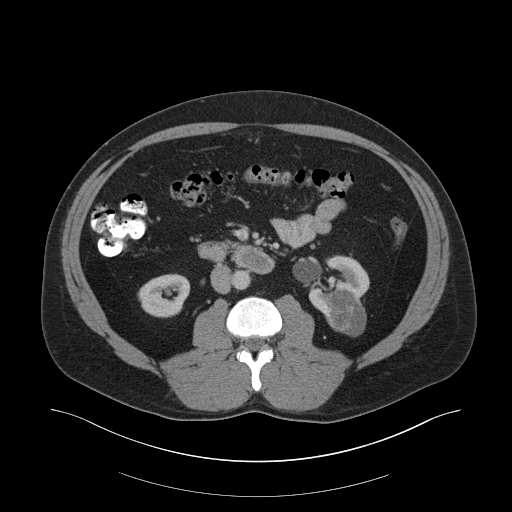
Axial slice 98 of 159 of a contrast-enhanced abdominal CT in the arterial phase (slice 1 is the lowest), 140 kVp, kernel B30f; 3.00 mm slice thickness and 0.977 mm pixels.
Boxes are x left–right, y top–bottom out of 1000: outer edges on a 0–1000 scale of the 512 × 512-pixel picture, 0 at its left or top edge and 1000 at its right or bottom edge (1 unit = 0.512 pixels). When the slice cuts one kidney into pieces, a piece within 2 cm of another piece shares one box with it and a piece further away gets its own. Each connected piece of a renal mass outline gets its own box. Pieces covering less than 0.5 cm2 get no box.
Boxed on this slice (two kidney boxes and one renal mass box), listed by box centre from the image's left to its right: (1) Box x 268–373, y 533–621 out of 1000: right kidney (outlined area 1,761 px, about 16.8 cm2). (2) Box x 602–723, y 498–621 out of 1000: left kidney (outlined area 1,940 px, about 18.5 cm2). (3) Box x 637–717, y 570–658 out of 1000: left renal mass (outlined area 1,411 px, about 13.5 cm2).